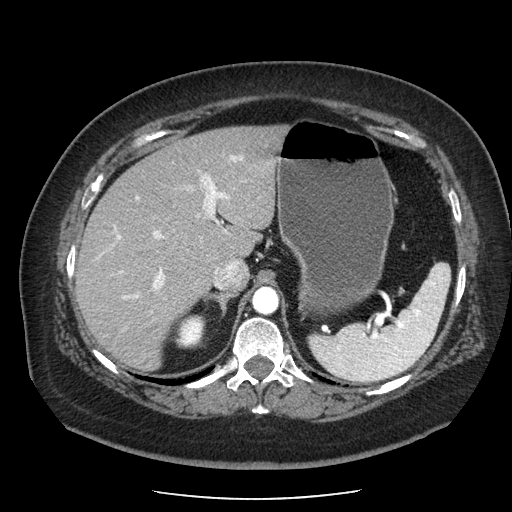
Abdominal CT with intravenous contrast, arterial phase, axial plane, 120 kVp, kernel STANDARD. Slice 149/186 from the bottom of the scan; thickness 2.50 mm; pixel size 0.742 mm.
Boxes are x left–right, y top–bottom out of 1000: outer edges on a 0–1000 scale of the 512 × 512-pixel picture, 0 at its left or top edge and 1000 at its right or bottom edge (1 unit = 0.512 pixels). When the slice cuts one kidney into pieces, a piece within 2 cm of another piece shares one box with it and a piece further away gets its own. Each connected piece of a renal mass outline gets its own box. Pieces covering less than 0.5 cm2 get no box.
Box x 342–404, y 613–682 out of 1000: right kidney (outlined area 906 px, about 5.0 cm2). No renal mass is outlined on this slice.